Abdominal CT with intravenous contrast, arterial phase, axial plane, 120 kVp, kernel I31f. Slice 100/227 from the bottom of the scan; thickness 3.00 mm; pixel size 0.816 mm.
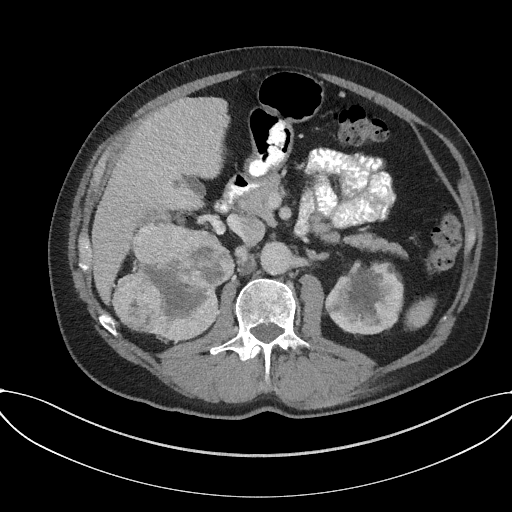
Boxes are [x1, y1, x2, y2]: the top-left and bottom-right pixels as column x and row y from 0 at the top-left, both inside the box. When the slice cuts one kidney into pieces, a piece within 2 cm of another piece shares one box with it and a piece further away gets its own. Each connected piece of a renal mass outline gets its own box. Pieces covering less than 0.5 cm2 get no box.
Two boxes on this slice (one kidney box and one renal mass box), listed by box centre from the image's left to its right. (1) Right renal mass, box [111, 221, 235, 340] (outlined area 10,625 px, about 70.8 cm2); it sits over 1 cm from every kidney outline on this slice, but the same outlined renal mass comes within 1 cm of the kidney on another slice. (2) Left kidney at [325, 261, 403, 334] (outlined area 4,410 px, about 29.4 cm2).